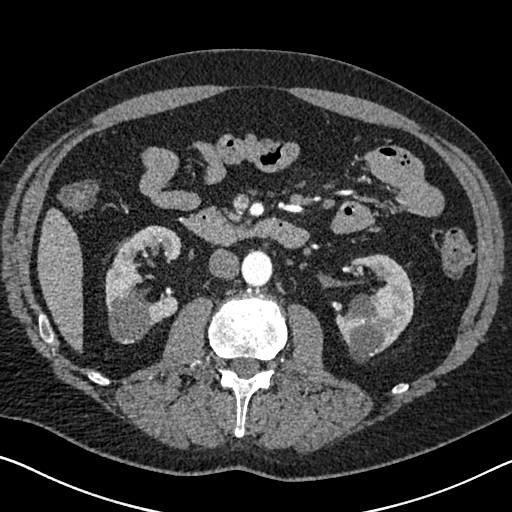
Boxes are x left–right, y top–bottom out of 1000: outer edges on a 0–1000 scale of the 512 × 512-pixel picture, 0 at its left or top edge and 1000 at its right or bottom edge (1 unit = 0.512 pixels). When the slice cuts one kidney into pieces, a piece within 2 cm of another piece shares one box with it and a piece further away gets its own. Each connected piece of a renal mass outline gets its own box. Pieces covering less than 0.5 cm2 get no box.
Slice 360/626 of a contrast-enhanced abdominal CT in the arterial phase, counting up from the lowest; pixel size 0.703 mm, slice thickness 1.00 mm. Two boxes on this slice (two kidney boxes), listed by box centre from the image's left to its right. (1) Right kidney at x 205–355, y 439–672 out of 1000 (outlined area 5,577 px, about 27.6 cm2). (2) Left kidney at x 654–809, y 496–709 out of 1000 (outlined area 5,445 px, about 26.9 cm2). No renal mass outline on this slice.
Tube voltage 120 kVp; convolution kernel I30f.